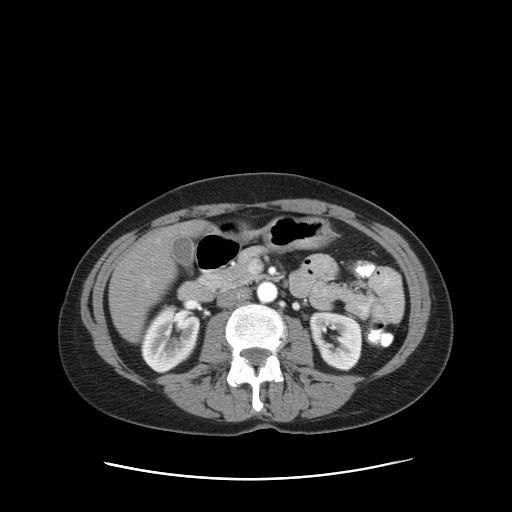
Abdominal CT with intravenous contrast, arterial phase, axial plane, 120 kVp, kernel STANDARD. Slice 51/83 from the bottom of the scan; thickness 5.00 mm; pixel size 0.775 mm.
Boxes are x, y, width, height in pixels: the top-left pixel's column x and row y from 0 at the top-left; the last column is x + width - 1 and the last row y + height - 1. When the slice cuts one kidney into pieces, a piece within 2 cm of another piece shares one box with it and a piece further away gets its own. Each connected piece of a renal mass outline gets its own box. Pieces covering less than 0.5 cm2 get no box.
Two kidney boxes on this slice; by box centre, from the image's left to its right: (1) Right kidney, box x 141, y 304, width 60, height 70 (outlined area 2,960 px, about 17.8 cm2). (2) Box x 308, y 311, width 56, height 61: left kidney (outlined area 2,451 px, about 14.7 cm2). No renal mass outline on this slice.